Abdominal CT with intravenous contrast, arterial phase, axial plane, 120 kVp, kernel B20f. Slice 343/553 from the bottom of the scan; thickness 1.00 mm; pixel size 0.773 mm.
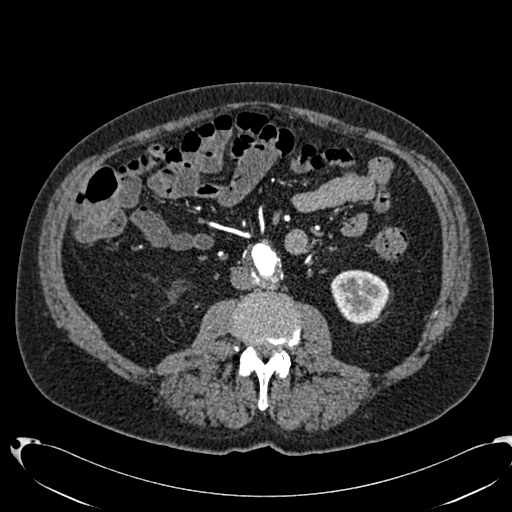
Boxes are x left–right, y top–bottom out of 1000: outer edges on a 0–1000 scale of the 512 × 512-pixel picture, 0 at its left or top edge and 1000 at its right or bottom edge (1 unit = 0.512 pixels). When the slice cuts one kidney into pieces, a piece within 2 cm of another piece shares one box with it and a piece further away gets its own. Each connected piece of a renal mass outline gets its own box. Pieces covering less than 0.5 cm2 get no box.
Left kidney at x 645–760, y 527–635 out of 1000 (outlined area 2,443 px, about 14.6 cm2). No renal mass outline on this slice.